Axial slice 101 of 153 of a contrast-enhanced abdominal CT (slice 1 is the lowest), 120 kVp, kernel I41f; 3.00 mm slice thickness and 0.893 mm pixels.
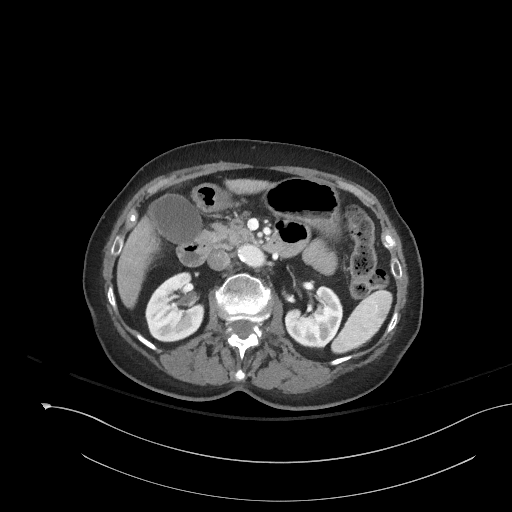
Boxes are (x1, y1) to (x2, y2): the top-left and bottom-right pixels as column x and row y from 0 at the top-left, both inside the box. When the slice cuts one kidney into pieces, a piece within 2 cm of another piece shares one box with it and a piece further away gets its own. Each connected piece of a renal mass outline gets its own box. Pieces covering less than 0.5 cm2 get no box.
Two kidney boxes on this slice; by box centre, from the image's left to its right: (1) Right kidney, box (145, 273) to (205, 342) (outlined area 3,120 px, about 24.9 cm2). (2) Box (285, 286) to (342, 348): left kidney (outlined area 2,531 px, about 20.2 cm2). No renal mass is outlined on this slice.